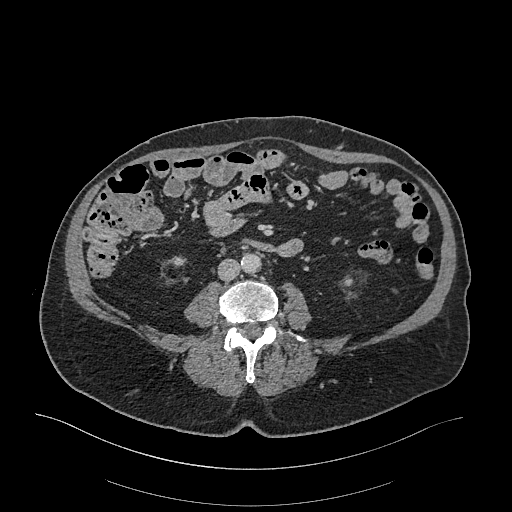
One axial slice (63 of 470, counting up from the lowest) of an arterial-phase abdominal CT acquired with 120 kVp, kernel I26f; each pixel is 0.938 mm and the slice is 1.00 mm thick.
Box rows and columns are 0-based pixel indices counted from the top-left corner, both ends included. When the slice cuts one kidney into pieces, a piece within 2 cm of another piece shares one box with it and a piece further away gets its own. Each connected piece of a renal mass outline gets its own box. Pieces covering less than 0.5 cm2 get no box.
Two kidney boxes on this slice; by box centre, from the image's left to its right: (1) Box rows 257–266, columns 171–183: right kidney (outlined area 87 px, about 0.8 cm2). (2) Box rows 279–286, columns 343–353: left kidney (outlined area 64 px, about 0.6 cm2). No renal mass is outlined on this slice.